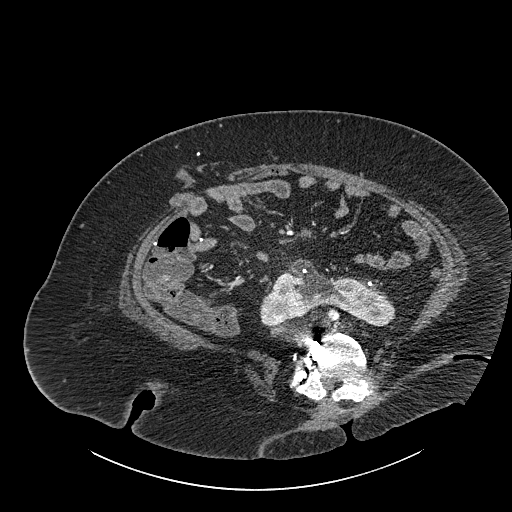
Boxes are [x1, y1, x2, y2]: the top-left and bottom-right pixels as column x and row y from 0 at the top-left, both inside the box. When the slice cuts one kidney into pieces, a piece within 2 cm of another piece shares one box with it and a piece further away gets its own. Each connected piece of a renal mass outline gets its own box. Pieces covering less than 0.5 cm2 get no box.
Slice 449/834 of a contrast-enhanced abdominal CT, counting up from the lowest; pixel size 0.977 mm, slice thickness 1.00 mm. Box [260, 258, 395, 327]: kidney crossing the body midline (outlined area 5,291 px, about 50.5 cm2). No renal mass outline on this slice.
Tube voltage 140 kVp; convolution kernel I30f.